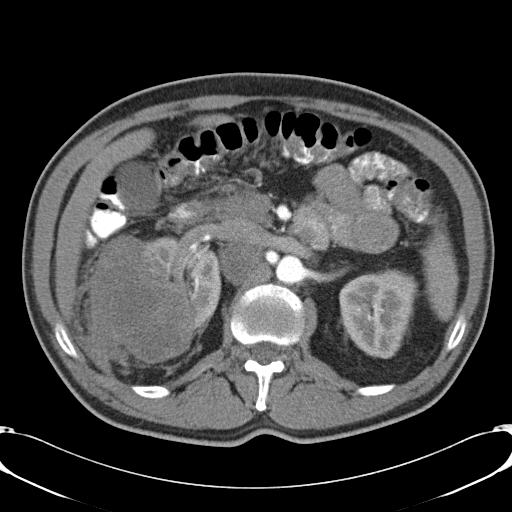
Abdominal CT with intravenous contrast, axial plane, 120 kVp, kernel B31f. Slice 29/57 from the bottom of the scan; thickness 5.00 mm; pixel size 0.732 mm.
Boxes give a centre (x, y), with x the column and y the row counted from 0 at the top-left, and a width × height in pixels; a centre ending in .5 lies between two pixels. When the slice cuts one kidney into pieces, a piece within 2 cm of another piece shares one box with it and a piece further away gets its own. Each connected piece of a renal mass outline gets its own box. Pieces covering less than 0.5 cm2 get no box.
Two kidney boxes and one renal mass box on this slice; by box centre, from the image's left to its right: (1) Box centre (141.5, 298.5), 108 × 130 pixels: right renal mass (outlined area 10,214 px, about 54.8 cm2). (2) Right kidney in a box with centre (183.5, 284), 76 × 99 pixels (outlined area 3,673 px, about 19.7 cm2). (3) Left kidney in a box with centre (377.5, 313), 78 × 91 pixels (outlined area 5,350 px, about 28.7 cm2).